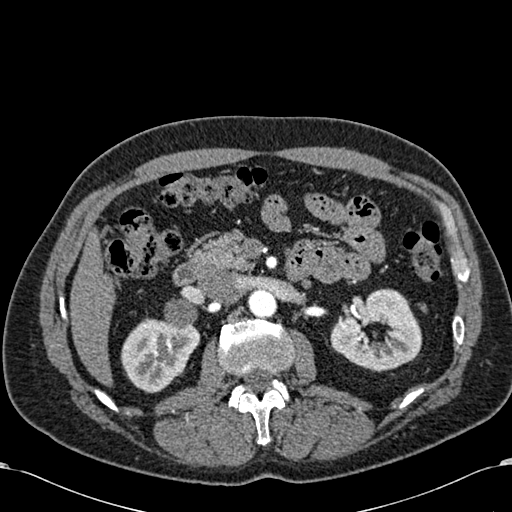
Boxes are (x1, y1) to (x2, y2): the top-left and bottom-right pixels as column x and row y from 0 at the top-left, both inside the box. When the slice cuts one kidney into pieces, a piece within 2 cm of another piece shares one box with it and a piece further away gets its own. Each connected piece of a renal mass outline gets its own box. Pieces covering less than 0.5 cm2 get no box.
This is axial slice 375 of 581 (slice 1 is the lowest) of an arterial-phase abdominal CT with contrast; each pixel is 0.713 mm and the slice is 1.00 mm thick. Boxed on this slice (two kidney boxes), listed by box centre from the image's left to its right: (1) Right kidney from (120, 318) to (200, 392) (outlined area 4,241 px, about 21.6 cm2). (2) Left kidney from (330, 288) to (422, 371) (outlined area 5,216 px, about 26.5 cm2). No renal mass outline on this slice.
Acquired at 120 kVp and reconstructed with the B30f kernel.